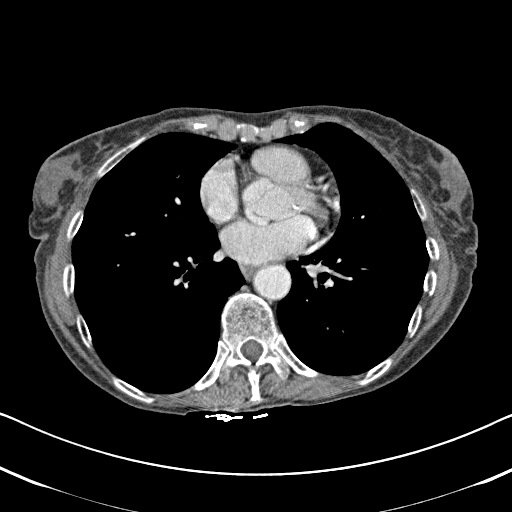
This is axial slice 448 of 620 (slice 1 is the lowest) of an arterial-phase abdominal CT with contrast; each pixel is 0.637 mm and the slice is 2.00 mm thick. Outside the outlined region: no kidney outline and no renal mass outline on this slice. The scan's outlines cover only kidneys and renal masses; no other organ is outlined.
Scan settings: 120 kVp, B31f reconstruction kernel.